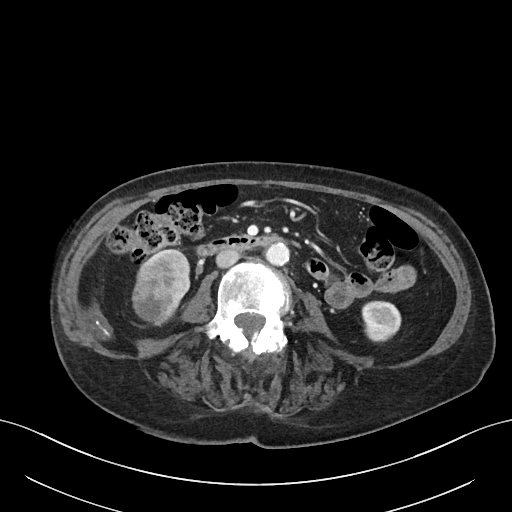
Abdominal CT with intravenous contrast, axial plane, 100 kVp, kernel I40f. Slice 21/76 from the bottom of the scan; thickness 3.00 mm; pixel size 0.768 mm.
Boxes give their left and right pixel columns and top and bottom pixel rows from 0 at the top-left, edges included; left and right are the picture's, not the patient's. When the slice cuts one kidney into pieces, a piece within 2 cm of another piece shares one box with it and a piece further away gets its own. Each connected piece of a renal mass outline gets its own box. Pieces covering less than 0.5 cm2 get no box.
Three boxes on this slice (two kidney boxes and one renal mass box), listed by box centre from the image's left to its right. (1) Box with left 131, top 258, right 172, bottom 326: right renal mass (outlined area 2,200 px, about 13.0 cm2). (2) Right kidney in the box with left 142, top 248, right 190, bottom 322 (outlined area 1,220 px, about 7.2 cm2). (3) Left kidney, the box with left 361, top 300, right 401, bottom 342 (outlined area 1,373 px, about 8.1 cm2).